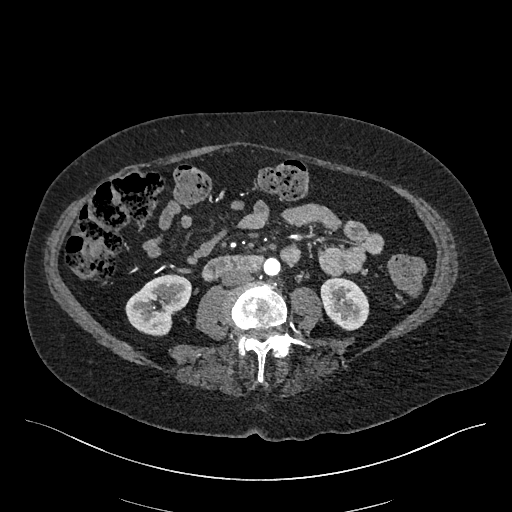
Arterial-phase contrast-enhanced abdominal CT, axial slice 183 of 548 (counted from the lowest slice); tube voltage 120 kVp, convolution kernel I26f; slices 1.00 mm thick, 0.852 mm per pixel.
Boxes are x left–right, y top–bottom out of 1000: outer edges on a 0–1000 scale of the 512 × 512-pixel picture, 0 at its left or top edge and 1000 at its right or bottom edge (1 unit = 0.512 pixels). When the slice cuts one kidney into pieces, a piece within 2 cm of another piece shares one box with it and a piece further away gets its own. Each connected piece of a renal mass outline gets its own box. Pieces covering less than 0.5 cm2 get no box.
Two kidney boxes on this slice; by box centre, from the image's left to its right: (1) Right kidney at x 244–375, y 535–658 out of 1000 (outlined area 2,803 px, about 20.3 cm2). (2) Left kidney at x 625–723, y 541–646 out of 1000 (outlined area 1,991 px, about 14.4 cm2). This slice carries no renal mass outline.